One axial slice (37 of 86, counting up from the lowest) of a contrast-enhanced abdominal CT acquired with 140 kVp, kernel I44f; each pixel is 0.977 mm and the slice is 3.00 mm thick.
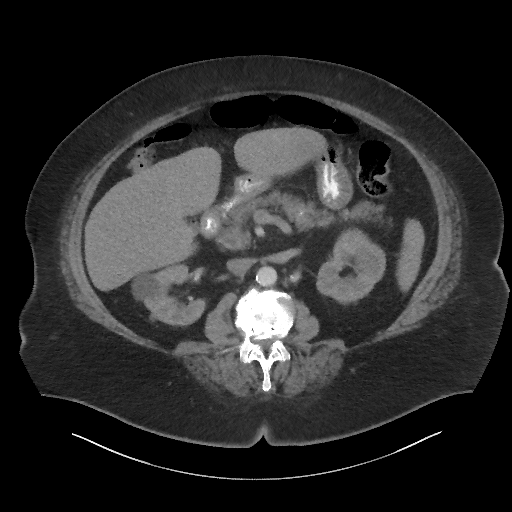
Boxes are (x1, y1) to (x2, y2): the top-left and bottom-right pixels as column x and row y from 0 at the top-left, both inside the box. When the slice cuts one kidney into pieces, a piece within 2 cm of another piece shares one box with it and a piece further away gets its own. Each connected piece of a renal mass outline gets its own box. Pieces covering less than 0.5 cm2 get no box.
Two boxes on this slice (two kidney boxes), listed by box centre from the image's left to its right. (1) Right kidney from (133, 266) to (206, 326) (outlined area 2,783 px, about 26.5 cm2). (2) Left kidney, box (316, 229) to (385, 304) (outlined area 3,512 px, about 33.5 cm2). This slice carries no renal mass outline.